Abdominal CT with intravenous contrast, arterial phase, axial plane, 100 kVp, kernel I30f. Slice 210/325 from the bottom of the scan; thickness 1.00 mm; pixel size 0.703 mm.
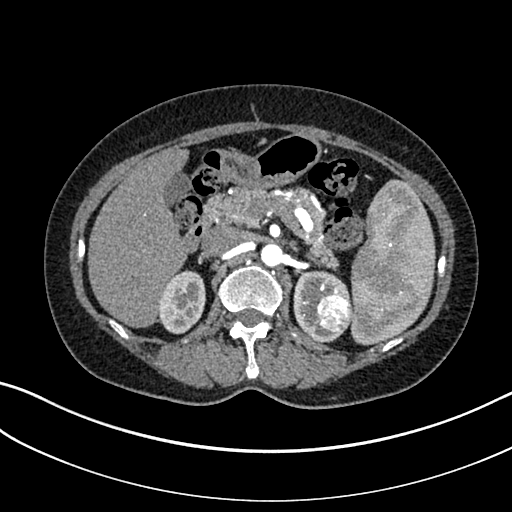
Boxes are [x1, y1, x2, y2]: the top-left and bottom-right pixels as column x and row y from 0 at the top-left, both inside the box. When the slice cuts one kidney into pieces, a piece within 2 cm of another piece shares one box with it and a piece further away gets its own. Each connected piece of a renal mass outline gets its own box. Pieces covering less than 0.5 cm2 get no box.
Boxed on this slice (two kidney boxes and one renal mass box), listed by box centre from the image's left to its right: (1) Right kidney, box [158, 270, 205, 334] (outlined area 2,374 px, about 11.7 cm2). (2) Left kidney, box [293, 270, 350, 342] (outlined area 2,273 px, about 11.2 cm2). (3) Left renal mass at [316, 293, 352, 332] (outlined area 1,158 px, about 5.7 cm2).